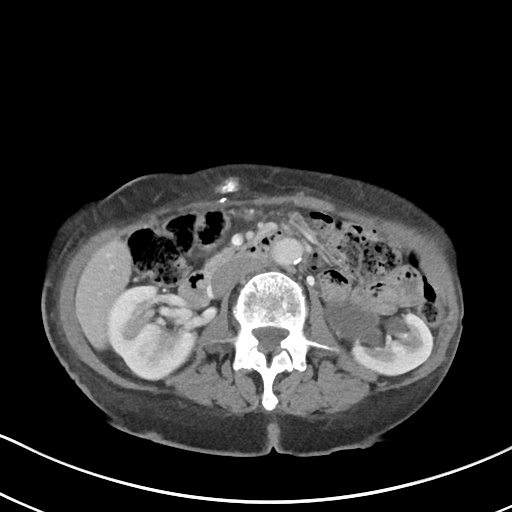
One axial slice (54 of 80, counting up from the lowest) of an arterial-phase abdominal CT acquired with 100 kVp, kernel I40f; each pixel is 0.648 mm and the slice is 5.00 mm thick.
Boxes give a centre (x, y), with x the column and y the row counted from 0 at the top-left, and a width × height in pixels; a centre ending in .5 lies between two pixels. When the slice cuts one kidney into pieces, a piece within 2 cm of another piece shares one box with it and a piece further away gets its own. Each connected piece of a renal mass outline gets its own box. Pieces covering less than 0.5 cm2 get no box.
Boxed on this slice (two kidney boxes), listed by box centre from the image's left to its right: (1) Right kidney, box centre (151.5, 332.5), 88 × 94 pixels (outlined area 5,739 px, about 24.1 cm2). (2) Left kidney in a box with centre (379.5, 338.5), 106 × 74 pixels (outlined area 4,732 px, about 19.9 cm2). No renal mass is outlined on this slice.